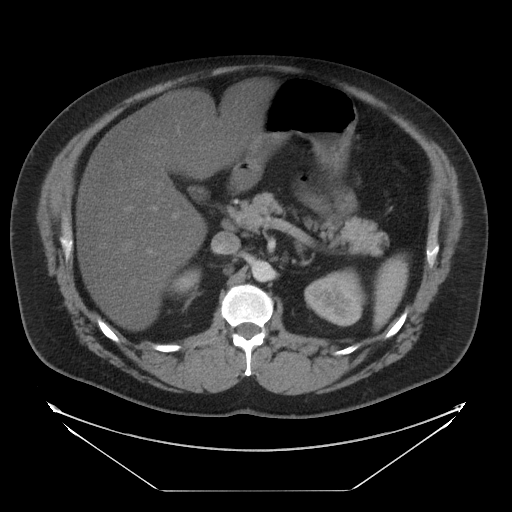
Axial slice 23 of 29 of a contrast-enhanced abdominal CT (slice 1 is the lowest), 120 kVp, kernel STANDARD; 5.00 mm slice thickness and 0.977 mm pixels.
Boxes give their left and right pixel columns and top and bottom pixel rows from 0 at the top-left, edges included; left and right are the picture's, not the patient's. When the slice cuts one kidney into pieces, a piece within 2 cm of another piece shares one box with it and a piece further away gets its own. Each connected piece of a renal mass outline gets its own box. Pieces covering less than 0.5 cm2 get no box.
Boxed on this slice (two kidney boxes), listed by box centre from the image's left to its right: (1) Right kidney, the box with left 169, top 268, right 200, bottom 295 (outlined area 599 px, about 5.7 cm2). (2) Left kidney in the box with left 304, top 268, right 365, bottom 326 (outlined area 2,628 px, about 25.1 cm2). No renal mass is outlined on this slice.